Abdominal CT with intravenous contrast, arterial phase, axial plane, 120 kVp, kernel B20f. Slice 455/719 from the bottom of the scan; thickness 1.00 mm; pixel size 0.766 mm.
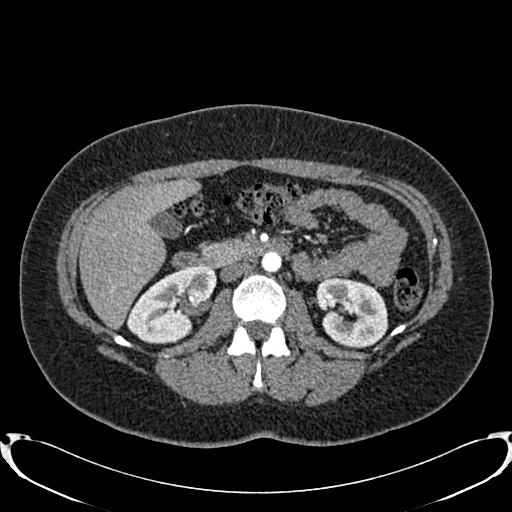
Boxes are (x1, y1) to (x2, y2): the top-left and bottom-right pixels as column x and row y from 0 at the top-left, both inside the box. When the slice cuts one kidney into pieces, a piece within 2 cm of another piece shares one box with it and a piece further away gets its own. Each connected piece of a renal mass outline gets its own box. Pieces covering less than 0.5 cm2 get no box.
Two kidney boxes on this slice; by box centre, from the image's left to its right: (1) Right kidney from (126, 265) to (216, 343) (outlined area 4,659 px, about 27.3 cm2). (2) Left kidney from (315, 277) to (388, 348) (outlined area 3,968 px, about 23.3 cm2). This slice carries no renal mass outline.